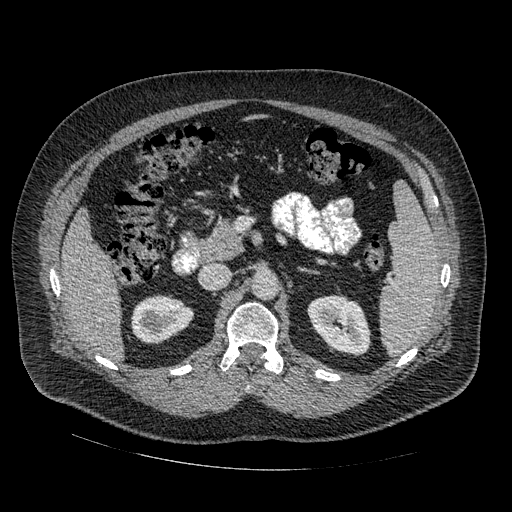
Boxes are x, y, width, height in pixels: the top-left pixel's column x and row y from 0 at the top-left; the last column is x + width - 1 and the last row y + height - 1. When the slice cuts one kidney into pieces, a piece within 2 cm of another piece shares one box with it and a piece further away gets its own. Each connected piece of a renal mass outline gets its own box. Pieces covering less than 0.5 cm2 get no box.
Slice 300/445 of a contrast-enhanced abdominal CT in the arterial phase, counting up from the lowest; pixel size 0.863 mm, slice thickness 1.25 mm. Two kidney boxes on this slice; by box centre, from the image's left to its right: (1) Box x 131, y 296, width 63, height 48: right kidney (outlined area 2,269 px, about 16.9 cm2). (2) Left kidney at x 308, y 295, width 63, height 62 (outlined area 2,760 px, about 20.6 cm2). This slice carries no renal mass outline.
Acquired at 120 kVp and reconstructed with the STANDARD kernel.